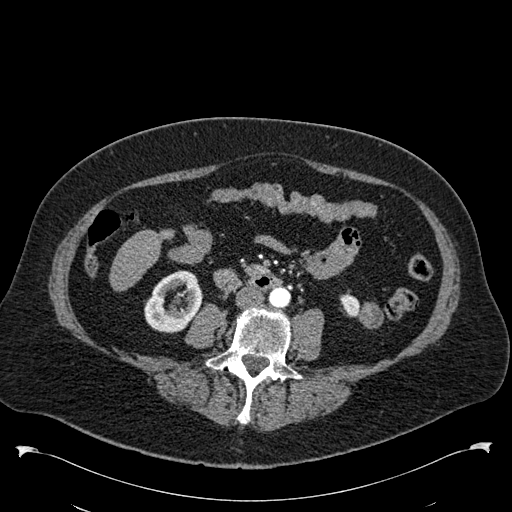
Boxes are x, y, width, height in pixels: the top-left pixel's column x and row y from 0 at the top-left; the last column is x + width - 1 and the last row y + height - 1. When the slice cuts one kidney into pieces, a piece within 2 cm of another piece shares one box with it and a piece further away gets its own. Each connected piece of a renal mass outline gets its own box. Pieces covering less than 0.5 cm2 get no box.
Slice 231/538 of a contrast-enhanced abdominal CT in the arterial phase, counting up from the lowest; pixel size 0.811 mm, slice thickness 1.00 mm. Two kidney boxes and one renal mass box on this slice; by box centre, from the image's left to its right: (1) Right kidney, box x 144, y 270, width 59, height 64 (outlined area 2,559 px, about 16.8 cm2). (2) Box x 339, y 290, width 22, height 28: left kidney (outlined area 384 px, about 2.5 cm2). (3) Box x 356, y 302, width 28, height 27: left renal mass (outlined area 532 px, about 3.5 cm2).
Acquired at 120 kVp and reconstructed with the B30f kernel.